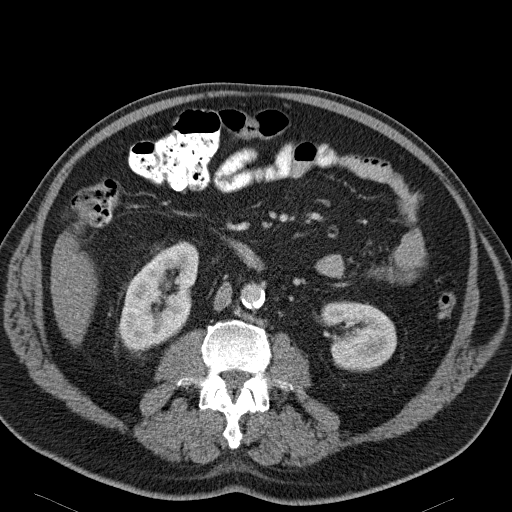
Arterial-phase contrast-enhanced abdominal CT, axial slice 74 of 114 (counted from the lowest slice); tube voltage 120 kVp, convolution kernel B31f; slices 5.00 mm thick, 0.781 mm per pixel.
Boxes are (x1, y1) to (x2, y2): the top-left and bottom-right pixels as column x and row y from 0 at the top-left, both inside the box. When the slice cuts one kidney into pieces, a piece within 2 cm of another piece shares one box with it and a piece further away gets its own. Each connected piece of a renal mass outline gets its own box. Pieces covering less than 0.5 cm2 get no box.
Two kidney boxes on this slice; by box centre, from the image's left to its right: (1) Right kidney from (120, 241) to (198, 351) (outlined area 5,951 px, about 36.3 cm2). (2) Box (320, 301) to (397, 371): left kidney (outlined area 4,119 px, about 25.1 cm2). This slice carries no renal mass outline.